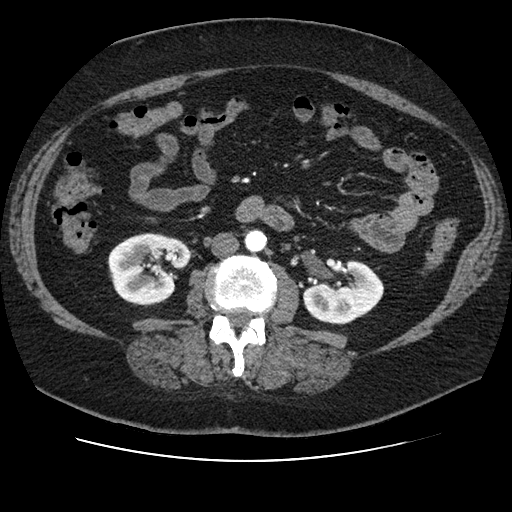
Axial slice 40 of 106 of a contrast-enhanced abdominal CT in the arterial phase (slice 1 is the lowest), 120 kVp, kernel STANDARD; 2.50 mm slice thickness and 0.742 mm pixels.
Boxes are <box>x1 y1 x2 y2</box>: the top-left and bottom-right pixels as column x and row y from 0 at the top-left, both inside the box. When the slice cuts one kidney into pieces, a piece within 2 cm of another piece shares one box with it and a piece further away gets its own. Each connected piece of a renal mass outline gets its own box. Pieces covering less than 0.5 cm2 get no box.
Two boxes on this slice (two kidney boxes), listed by box centre from the image's left to its right. (1) Right kidney at <box>107 233 192 306</box> (outlined area 4,482 px, about 24.7 cm2). (2) Left kidney: <box>303 259 384 324</box> (outlined area 3,587 px, about 19.8 cm2). This slice carries no renal mass outline.